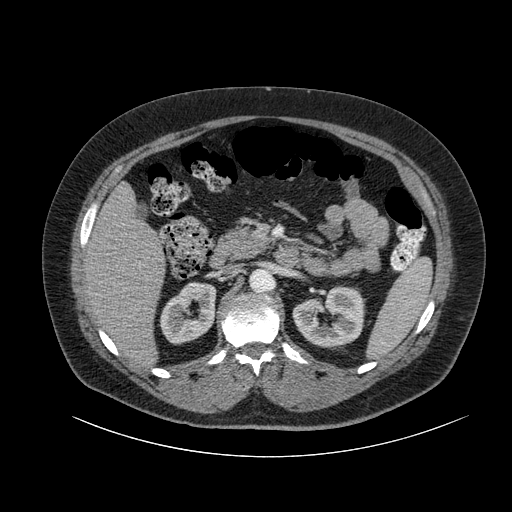
Axial slice 56 of 105 of a contrast-enhanced abdominal CT (slice 1 is the lowest), 120 kVp, kernel B; 3.00 mm slice thickness and 0.977 mm pixels.
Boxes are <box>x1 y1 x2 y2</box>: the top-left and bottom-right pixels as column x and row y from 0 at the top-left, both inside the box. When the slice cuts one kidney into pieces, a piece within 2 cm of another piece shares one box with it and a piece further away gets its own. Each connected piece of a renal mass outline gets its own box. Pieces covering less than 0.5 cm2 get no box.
Boxed on this slice (two kidney boxes), listed by box centre from the image's left to its right: (1) Right kidney: <box>160 281 216 344</box> (outlined area 2,583 px, about 24.6 cm2). (2) Left kidney at <box>292 285 365 347</box> (outlined area 3,351 px, about 32.0 cm2). No renal mass is outlined on this slice.